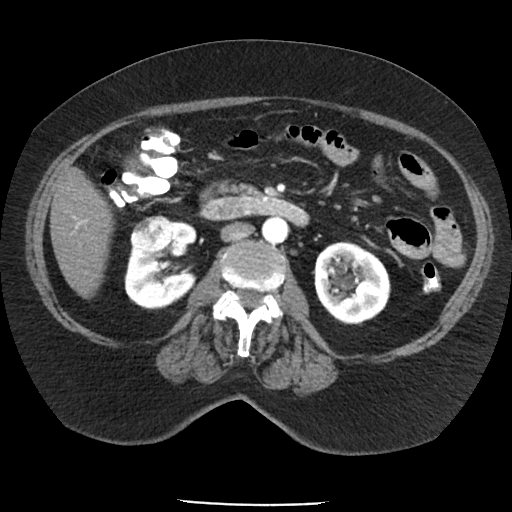
One axial slice (53 of 85, counting up from the lowest) of an arterial-phase abdominal CT acquired with 120 kVp, kernel FC19; each pixel is 0.741 mm and the slice is 5.00 mm thick.
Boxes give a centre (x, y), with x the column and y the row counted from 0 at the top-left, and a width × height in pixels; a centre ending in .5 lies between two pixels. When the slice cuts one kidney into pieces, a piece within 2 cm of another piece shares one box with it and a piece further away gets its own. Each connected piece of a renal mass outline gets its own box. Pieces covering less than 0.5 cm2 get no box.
Boxed on this slice (two kidney boxes and one renal mass box), listed by box centre from the image's left to its right: (1) Right renal mass in a box with centre (151.5, 233.5), 44 × 38 pixels (outlined area 1,341 px, about 7.4 cm2). (2) Right kidney, box centre (160.5, 265), 74 × 89 pixels (outlined area 3,994 px, about 21.9 cm2). (3) Left kidney in a box with centre (351.5, 283), 78 × 85 pixels (outlined area 4,992 px, about 27.4 cm2).